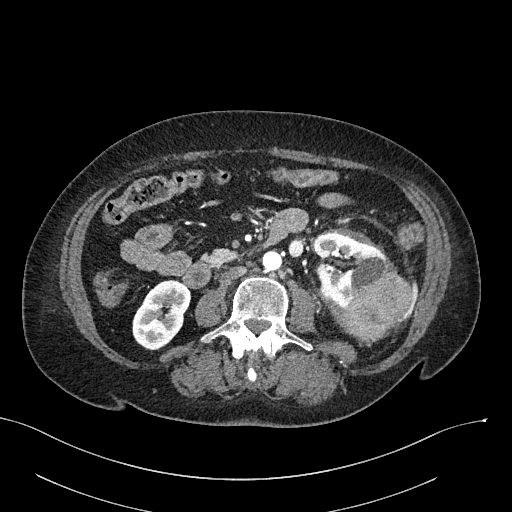
Arterial-phase contrast-enhanced abdominal CT, axial slice 105 of 316 (counted from the lowest slice); tube voltage 100 kVp, convolution kernel I40f; slices 2.00 mm thick, 0.840 mm per pixel.
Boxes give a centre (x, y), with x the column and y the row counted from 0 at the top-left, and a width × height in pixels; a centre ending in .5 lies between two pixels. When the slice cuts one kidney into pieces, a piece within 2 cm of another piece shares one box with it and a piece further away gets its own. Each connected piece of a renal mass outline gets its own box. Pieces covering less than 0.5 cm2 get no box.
Boxed on this slice (two kidney boxes and one renal mass box), listed by box centre from the image's left to its right: (1) Box centre (161, 314.5), 59 × 72 pixels: right kidney (outlined area 2,918 px, about 20.6 cm2). (2) Left kidney in a box with centre (351.5, 271), 78 × 77 pixels (outlined area 3,601 px, about 25.4 cm2). (3) Box centre (378, 303.5), 71 × 78 pixels: left renal mass (outlined area 3,447 px, about 24.3 cm2).